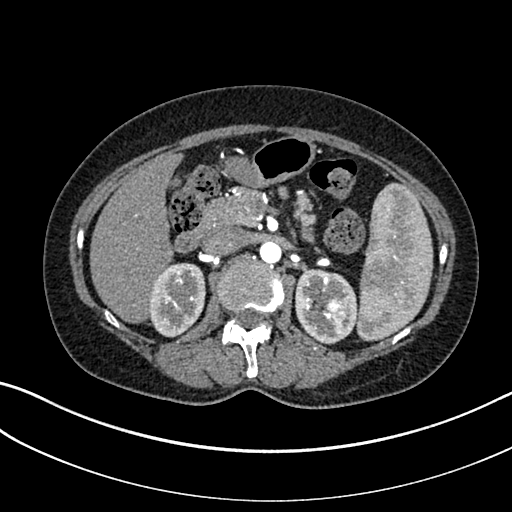
Arterial-phase contrast-enhanced abdominal CT, axial slice 196 of 325 (counted from the lowest slice); tube voltage 100 kVp, convolution kernel I30f; slices 1.00 mm thick, 0.703 mm per pixel.
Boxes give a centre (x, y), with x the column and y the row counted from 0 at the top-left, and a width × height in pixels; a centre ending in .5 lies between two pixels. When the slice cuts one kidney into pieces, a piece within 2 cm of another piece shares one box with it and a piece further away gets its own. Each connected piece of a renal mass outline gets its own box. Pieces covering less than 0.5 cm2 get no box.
Boxed on this slice (two kidney boxes and one renal mass box), listed by box centre from the image's left to its right: (1) Box centre (177, 299.5), 57 × 76 pixels: right kidney (outlined area 3,385 px, about 16.7 cm2). (2) Box centre (326, 306.5), 63 × 76 pixels: left kidney (outlined area 3,355 px, about 16.6 cm2). (3) Box centre (333, 312), 23 × 25 pixels: left renal mass (outlined area 450 px, about 2.2 cm2).